Abdominal CT with intravenous contrast, axial plane, 120 kVp, kernel I30f. Slice 96/197 from the bottom of the scan; thickness 5.00 mm; pixel size 0.791 mm.
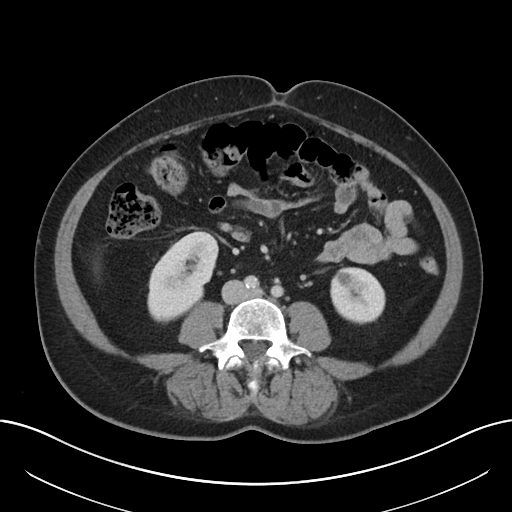
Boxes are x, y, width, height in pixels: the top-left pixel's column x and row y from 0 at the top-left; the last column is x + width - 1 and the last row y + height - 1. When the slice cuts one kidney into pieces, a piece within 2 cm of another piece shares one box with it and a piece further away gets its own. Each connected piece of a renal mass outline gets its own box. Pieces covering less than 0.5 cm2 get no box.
Boxed on this slice (two kidney boxes), listed by box centre from the image's left to its right: (1) Right kidney at x 147, y 230, width 72, height 94 (outlined area 4,520 px, about 28.3 cm2). (2) Left kidney, box x 330, y 267, width 56, height 58 (outlined area 2,545 px, about 15.9 cm2). No renal mass outline on this slice.